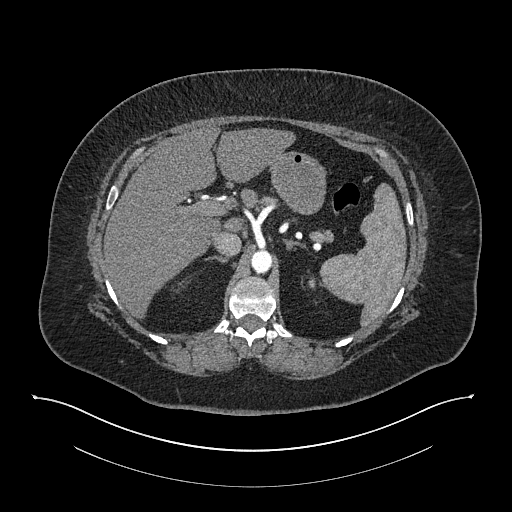
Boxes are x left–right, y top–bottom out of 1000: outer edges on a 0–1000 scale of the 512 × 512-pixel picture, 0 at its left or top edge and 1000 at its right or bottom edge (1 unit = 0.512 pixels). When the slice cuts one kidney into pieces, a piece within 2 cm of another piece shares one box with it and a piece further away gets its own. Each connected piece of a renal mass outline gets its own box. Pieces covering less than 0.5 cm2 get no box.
This is axial slice 578 of 673 (slice 1 is the lowest) of an arterial-phase abdominal CT with contrast; each pixel is 0.957 mm and the slice is 1.00 mm thick. Box x 602–617, y 541–561 out of 1000: left kidney (outlined area 62 px, about 0.6 cm2). No renal mass is outlined on this slice.
Scan settings: 140 kVp, I30f reconstruction kernel.